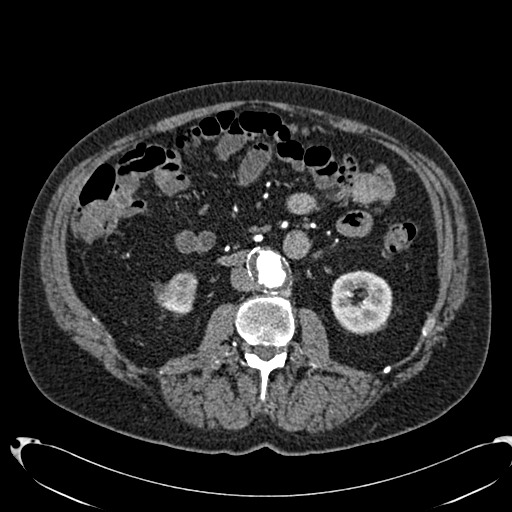
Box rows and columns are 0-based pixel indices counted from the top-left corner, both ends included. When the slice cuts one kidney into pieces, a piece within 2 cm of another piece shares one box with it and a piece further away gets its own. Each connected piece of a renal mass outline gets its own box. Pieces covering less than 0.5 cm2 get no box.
Slice 361/553 of a contrast-enhanced abdominal CT in the arterial phase, counting up from the lowest; pixel size 0.773 mm, slice thickness 1.00 mm. Two kidney boxes on this slice; by box centre, from the image's left to its right: (1) Box rows 271–314, columns 159–197: right kidney (outlined area 1,244 px, about 7.4 cm2). (2) Left kidney, box rows 270–333, columns 330–392 (outlined area 3,063 px, about 18.3 cm2). No renal mass outline on this slice.
Acquired at 120 kVp and reconstructed with the B20f kernel.